Abdominal CT with intravenous contrast, arterial phase, axial plane, 120 kVp, kernel B30f. Slice 365/581 from the bottom of the scan; thickness 1.00 mm; pixel size 0.713 mm.
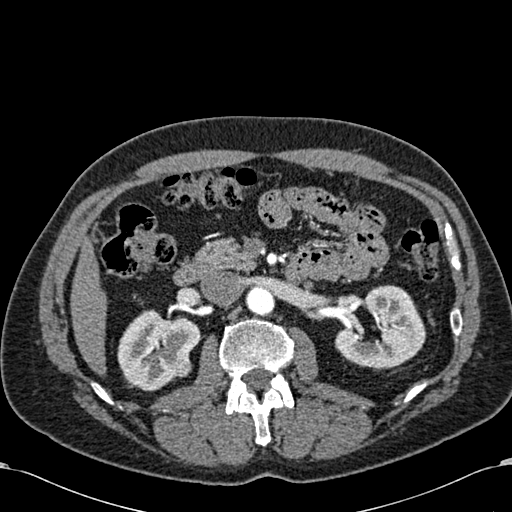
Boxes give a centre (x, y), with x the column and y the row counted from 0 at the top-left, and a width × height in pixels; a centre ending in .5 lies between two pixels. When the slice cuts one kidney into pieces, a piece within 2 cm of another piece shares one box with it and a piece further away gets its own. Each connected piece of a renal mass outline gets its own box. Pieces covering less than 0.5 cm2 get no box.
Three boxes on this slice (two kidney boxes and one renal mass box), listed by box centre from the image's left to its right. (1) Box centre (159, 350), 85 × 83 pixels: right kidney (outlined area 4,497 px, about 22.9 cm2). (2) Right renal mass in a box with centre (181.5, 364.5), 22 × 26 pixels (outlined area 418 px, about 2.1 cm2). (3) Left kidney, box centre (380, 327), 93 × 85 pixels (outlined area 5,122 px, about 26.0 cm2).